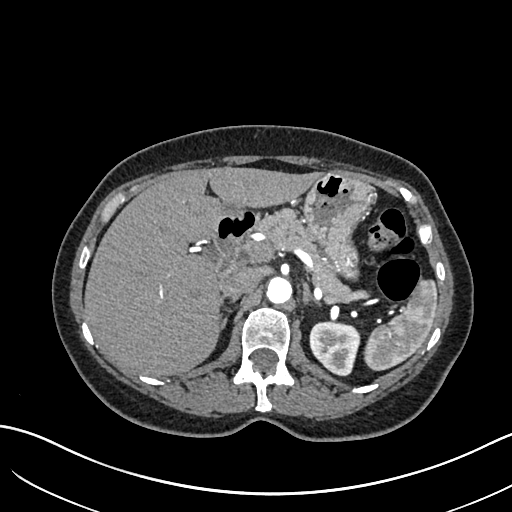
Abdominal CT with intravenous contrast, arterial phase, axial plane, 120 kVp, kernel I30f. Slice 455/683 from the bottom of the scan; thickness 1.00 mm; pixel size 0.738 mm.
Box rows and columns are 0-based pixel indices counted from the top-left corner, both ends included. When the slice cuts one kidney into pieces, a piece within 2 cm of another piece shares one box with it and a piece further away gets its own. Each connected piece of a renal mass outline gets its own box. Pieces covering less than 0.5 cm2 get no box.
Box rows 322–376, columns 309–360: left kidney (outlined area 2,144 px, about 11.7 cm2). No renal mass outline on this slice.